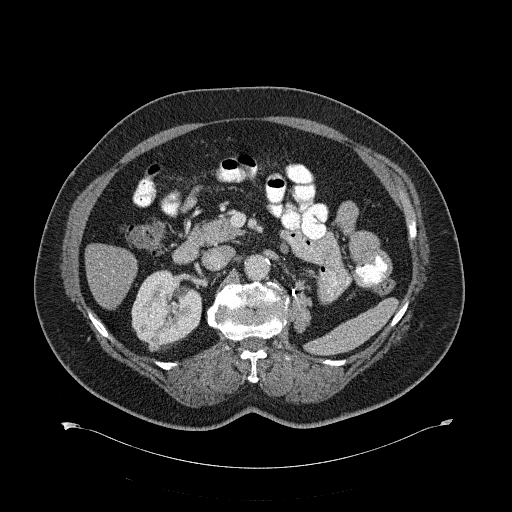
One axial slice (379 of 734, counting up from the lowest) of a contrast-enhanced abdominal CT acquired with 120 kVp, kernel B31f; each pixel is 0.971 mm and the slice is 2.00 mm thick.
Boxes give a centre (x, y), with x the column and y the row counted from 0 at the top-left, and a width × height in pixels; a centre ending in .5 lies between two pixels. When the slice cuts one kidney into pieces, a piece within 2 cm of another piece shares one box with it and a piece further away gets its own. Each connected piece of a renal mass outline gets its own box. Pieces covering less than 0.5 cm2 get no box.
Boxed on this slice (one kidney box and one renal mass box), listed by box centre from the image's left to its right: (1) Box centre (154, 343.5), 13 × 16 pixels: right renal mass (outlined area 167 px, about 1.6 cm2). (2) Right kidney, box centre (166, 309), 71 × 81 pixels (outlined area 4,036 px, about 38.0 cm2).